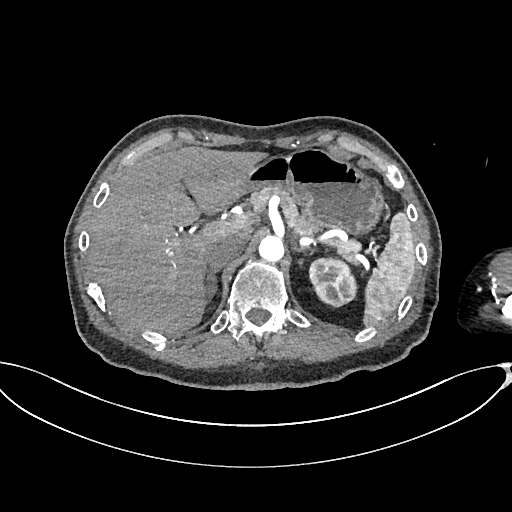
Axial slice 496 of 665 of a contrast-enhanced abdominal CT in the arterial phase (slice 1 is the lowest), 100 kVp, kernel I26f; 1.00 mm slice thickness and 0.828 mm pixels.
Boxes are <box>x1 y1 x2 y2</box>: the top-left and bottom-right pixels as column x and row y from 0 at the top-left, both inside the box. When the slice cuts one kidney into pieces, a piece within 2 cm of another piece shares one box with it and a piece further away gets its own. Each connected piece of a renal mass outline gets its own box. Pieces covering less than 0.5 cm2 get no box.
At <box>308 256 358 307</box>: left kidney (outlined area 1,926 px, about 13.2 cm2). This slice carries no renal mass outline.